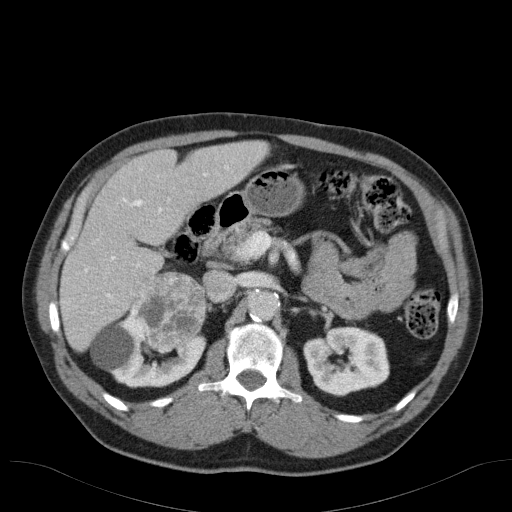
Axial slice 72 of 98 of a contrast-enhanced abdominal CT in the arterial phase (slice 1 is the lowest), 120 kVp, kernel B31f; 5.00 mm slice thickness and 0.764 mm pixels.
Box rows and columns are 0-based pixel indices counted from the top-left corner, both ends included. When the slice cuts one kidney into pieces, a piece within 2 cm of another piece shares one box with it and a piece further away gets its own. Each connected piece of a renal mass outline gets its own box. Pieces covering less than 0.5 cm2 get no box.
Boxed on this slice (two kidney boxes and one renal mass box), listed by box centre from the image's left to its right: (1) Box rows 313–387, columns 90–206: right kidney (outlined area 4,624 px, about 27.0 cm2). (2) Box rows 270–353, columns 129–207: right renal mass (outlined area 4,768 px, about 27.8 cm2). (3) Box rows 326–396, columns 303–389: left kidney (outlined area 4,640 px, about 27.1 cm2).